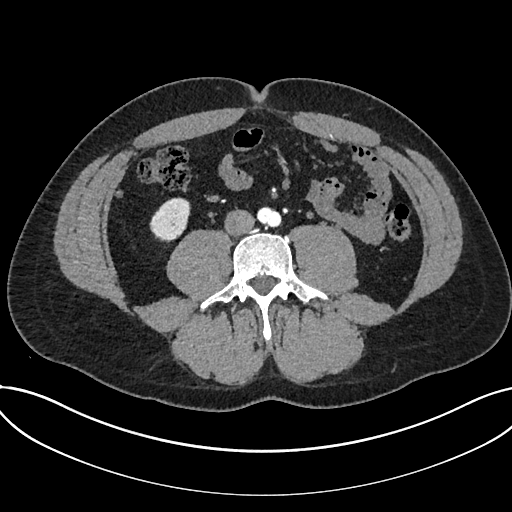
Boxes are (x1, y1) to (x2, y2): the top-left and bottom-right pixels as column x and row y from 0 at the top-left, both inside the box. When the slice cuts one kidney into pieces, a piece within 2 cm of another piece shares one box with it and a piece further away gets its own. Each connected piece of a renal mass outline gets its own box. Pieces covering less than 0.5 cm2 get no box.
Slice 276/735 of a contrast-enhanced abdominal CT in the arterial phase, counting up from the lowest; pixel size 0.789 mm, slice thickness 1.00 mm. Kidney, box (149, 197) to (190, 242) (outlined area 1,348 px, about 8.4 cm2). This slice carries no renal mass outline.
Scan settings: 120 kVp, I30f reconstruction kernel.